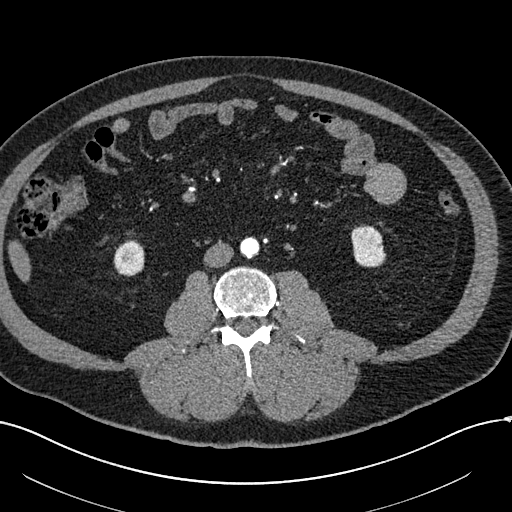
Axial slice 217 of 602 of a contrast-enhanced abdominal CT in the arterial phase (slice 1 is the lowest), 120 kVp, kernel I30f; 1.00 mm slice thickness and 0.799 mm pixels.
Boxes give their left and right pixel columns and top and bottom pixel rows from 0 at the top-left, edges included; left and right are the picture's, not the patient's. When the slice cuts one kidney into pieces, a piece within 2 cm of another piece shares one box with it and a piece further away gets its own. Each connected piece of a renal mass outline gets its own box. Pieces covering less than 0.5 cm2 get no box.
Two kidney boxes on this slice; by box centre, from the image's left to its right: (1) Box with left 113, top 240, right 144, bottom 276: right kidney (outlined area 935 px, about 6.0 cm2). (2) Box with left 351, top 224, right 386, bottom 267: left kidney (outlined area 1,213 px, about 7.7 cm2). No renal mass is outlined on this slice.